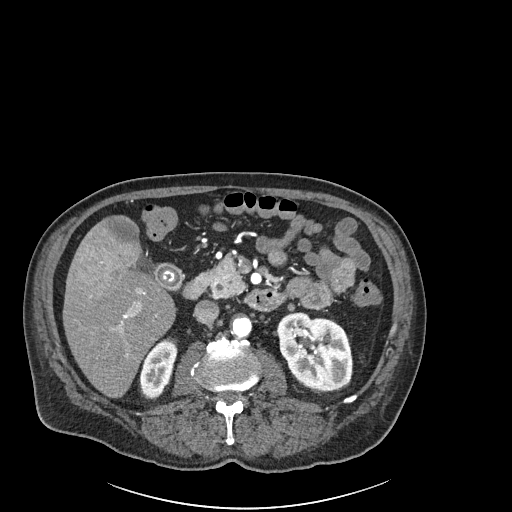
Arterial-phase contrast-enhanced abdominal CT, axial slice 107 of 261 (counted from the lowest slice); tube voltage 120 kVp, convolution kernel I30f; slices 2.00 mm thick, 0.939 mm per pixel.
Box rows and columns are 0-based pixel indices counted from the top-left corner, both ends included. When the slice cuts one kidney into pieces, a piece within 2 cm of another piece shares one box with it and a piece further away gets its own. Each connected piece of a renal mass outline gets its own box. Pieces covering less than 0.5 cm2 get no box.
Two boxes on this slice (two kidney boxes), listed by box centre from the image's left to its right. (1) Box rows 340–396, columns 139–176: right kidney (outlined area 1,485 px, about 13.1 cm2). (2) Left kidney at rows 312–390, columns 277–352 (outlined area 4,565 px, about 40.3 cm2). This slice carries no renal mass outline.